Axial slice 55 of 80 of a contrast-enhanced abdominal CT (slice 1 is the lowest), 100 kVp, kernel I40f; 5.00 mm slice thickness and 0.703 mm pixels.
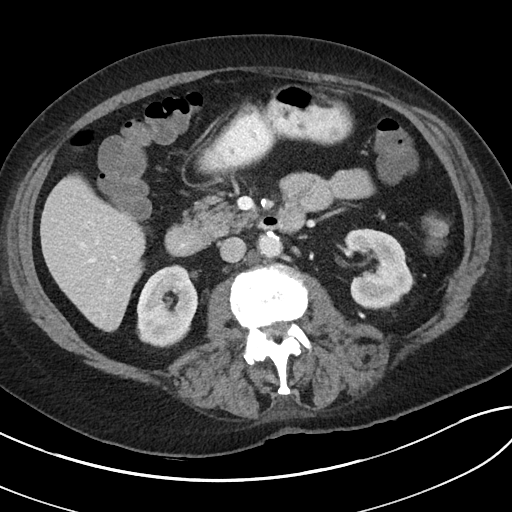
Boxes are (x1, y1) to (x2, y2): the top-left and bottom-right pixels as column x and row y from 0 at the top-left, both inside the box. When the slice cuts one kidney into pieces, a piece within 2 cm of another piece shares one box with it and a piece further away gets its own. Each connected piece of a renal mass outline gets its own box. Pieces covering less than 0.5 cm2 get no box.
Two kidney boxes on this slice; by box centre, from the image's left to its right: (1) Right kidney from (137, 264) to (198, 347) (outlined area 3,962 px, about 19.6 cm2). (2) Left kidney from (344, 229) to (414, 309) (outlined area 4,058 px, about 20.1 cm2). No renal mass outline on this slice.